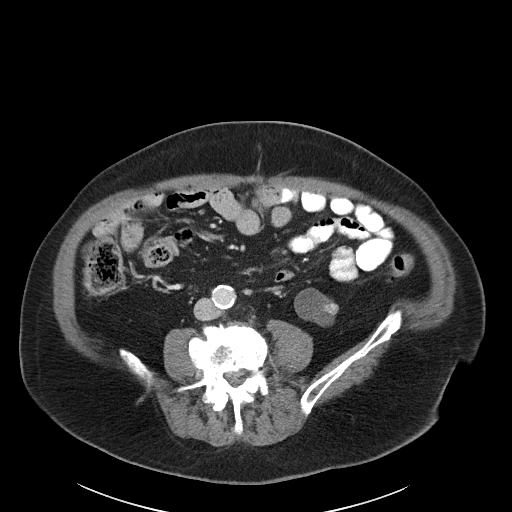
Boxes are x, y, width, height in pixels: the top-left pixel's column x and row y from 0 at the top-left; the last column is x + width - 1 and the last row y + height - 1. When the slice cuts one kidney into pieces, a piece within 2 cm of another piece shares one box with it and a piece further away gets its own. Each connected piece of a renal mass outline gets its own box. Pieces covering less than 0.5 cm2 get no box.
This is axial slice 46 of 89 (slice 1 is the lowest) of an arterial-phase abdominal CT with contrast; each pixel is 0.885 mm and the slice is 5.00 mm thick. Left kidney, box x 294, y 288, width 45, height 39 (outlined area 1,187 px, about 9.3 cm2). No renal mass outline on this slice.
Acquired at 100 kVp and reconstructed with the I40f kernel.